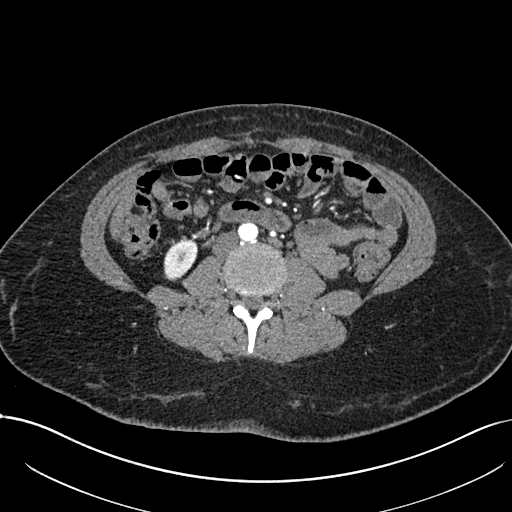
Abdominal CT with intravenous contrast, arterial phase, axial plane, 120 kVp, kernel I30f. Slice 313/738 from the bottom of the scan; thickness 1.00 mm; pixel size 0.789 mm.
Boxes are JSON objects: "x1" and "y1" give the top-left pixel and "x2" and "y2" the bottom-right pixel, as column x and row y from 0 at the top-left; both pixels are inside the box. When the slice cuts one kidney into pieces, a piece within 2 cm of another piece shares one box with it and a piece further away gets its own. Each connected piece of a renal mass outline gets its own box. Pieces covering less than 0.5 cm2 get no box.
Right kidney at {"x1": 163, "y1": 237, "x2": 197, "y2": 280} (outlined area 1,079 px, about 6.7 cm2). No renal mass is outlined on this slice.